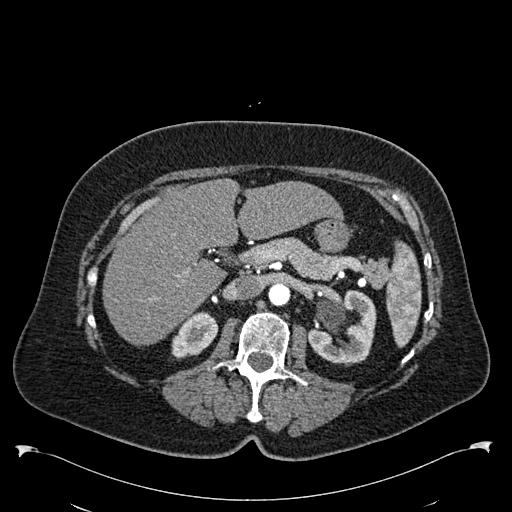
Abdominal CT with intravenous contrast, arterial phase, axial plane, 120 kVp, kernel B30f. Slice 362/538 from the bottom of the scan; thickness 1.00 mm; pixel size 0.811 mm.
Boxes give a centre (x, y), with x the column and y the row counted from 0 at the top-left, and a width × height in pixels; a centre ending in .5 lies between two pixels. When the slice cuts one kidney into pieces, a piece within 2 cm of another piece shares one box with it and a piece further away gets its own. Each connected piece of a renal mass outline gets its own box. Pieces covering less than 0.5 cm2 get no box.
Two kidney boxes on this slice; by box centre, from the image's left to its right: (1) Box centre (194.5, 335), 48 × 49 pixels: right kidney (outlined area 1,530 px, about 10.1 cm2). (2) Left kidney in a box with centre (341.5, 326.5), 70 × 74 pixels (outlined area 3,541 px, about 23.3 cm2). This slice carries no renal mass outline.